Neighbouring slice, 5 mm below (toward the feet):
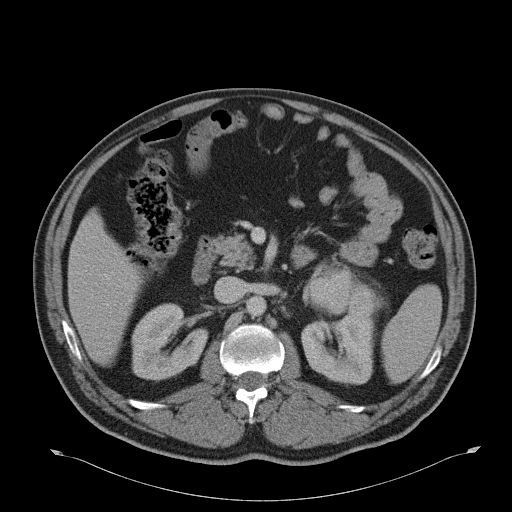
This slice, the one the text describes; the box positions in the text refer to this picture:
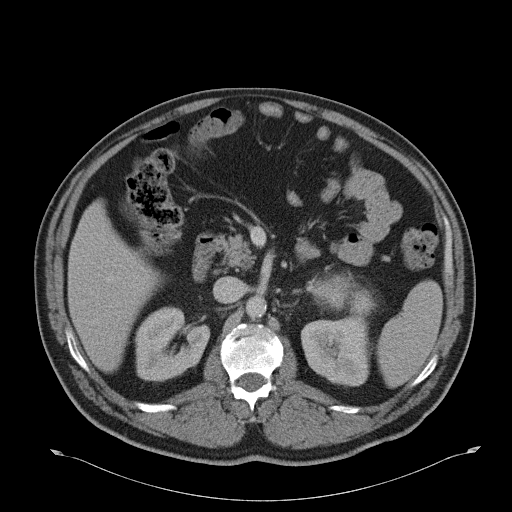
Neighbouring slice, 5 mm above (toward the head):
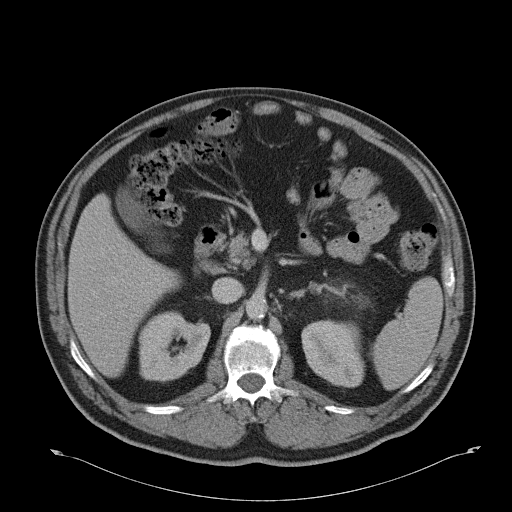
Contrast-enhanced abdominal CT, axial slice 25 of 51 (counted from the lowest slice); tube voltage 120 kVp, convolution kernel B31f; slices 5.00 mm thick, 0.865 mm per pixel.
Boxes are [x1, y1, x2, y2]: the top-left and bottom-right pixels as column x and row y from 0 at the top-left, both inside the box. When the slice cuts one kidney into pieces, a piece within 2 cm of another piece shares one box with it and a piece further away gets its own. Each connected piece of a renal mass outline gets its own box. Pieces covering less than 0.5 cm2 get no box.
Boxed on this slice (two kidney boxes and one renal mass box), listed by box centre from the image's left to its right: (1) Right kidney at [134, 306, 210, 381] (outlined area 4,121 px, about 30.9 cm2). (2) Box [301, 315, 369, 386]: left kidney (outlined area 3,947 px, about 29.5 cm2). (3) Box [311, 274, 375, 318]: left renal mass (outlined area 1,846 px, about 13.8 cm2). This slice is near the end of the left renal mass toward the head, so the slices 5 mm below and 5 mm above it are shown as well; the boxes refer to this slice only.